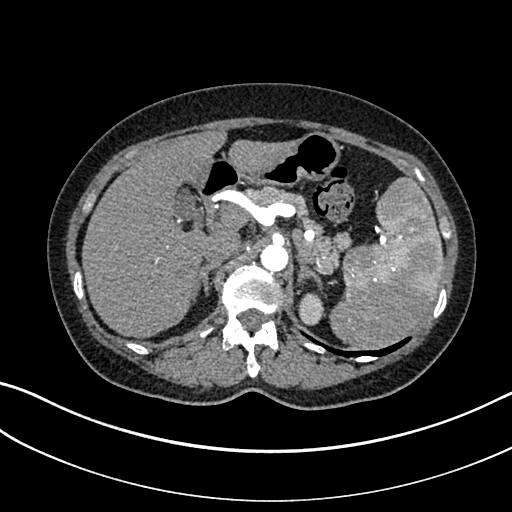
Axial slice 250 of 325 of a contrast-enhanced abdominal CT in the arterial phase (slice 1 is the lowest), 100 kVp, kernel I30f; 1.00 mm slice thickness and 0.703 mm pixels.
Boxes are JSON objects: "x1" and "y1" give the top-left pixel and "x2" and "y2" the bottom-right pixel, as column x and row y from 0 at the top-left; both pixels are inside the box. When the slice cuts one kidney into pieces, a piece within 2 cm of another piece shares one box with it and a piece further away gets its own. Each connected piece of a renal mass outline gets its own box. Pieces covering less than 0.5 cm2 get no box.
Left kidney at {"x1": 298, "y1": 293, "x2": 325, "y2": 325} (outlined area 688 px, about 3.4 cm2). This slice carries no renal mass outline.